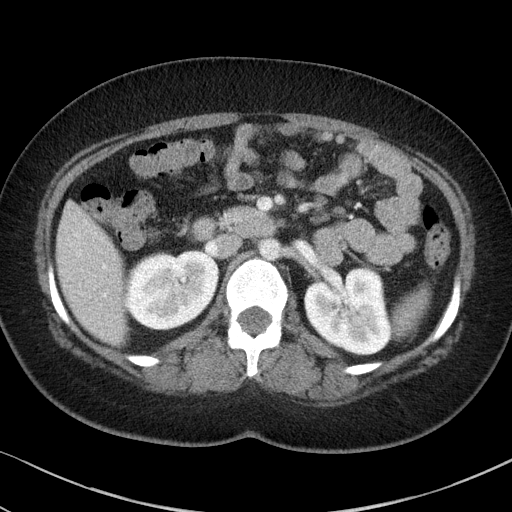
One axial slice (57 of 85, counting up from the lowest) of an arterial-phase abdominal CT acquired with 100 kVp, kernel I41f; each pixel is 0.664 mm and the slice is 5.00 mm thick.
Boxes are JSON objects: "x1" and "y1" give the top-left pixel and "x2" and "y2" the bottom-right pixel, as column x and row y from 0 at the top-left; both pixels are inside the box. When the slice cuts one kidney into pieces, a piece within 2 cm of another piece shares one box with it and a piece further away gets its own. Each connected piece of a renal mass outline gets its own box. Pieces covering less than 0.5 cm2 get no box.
Boxed on this slice (two kidney boxes), listed by box centre from the image's left to its right: (1) Box {"x1": 124, "y1": 249, "x2": 219, "y2": 330}: right kidney (outlined area 6,059 px, about 26.7 cm2). (2) Left kidney, box {"x1": 304, "y1": 267, "x2": 390, "y2": 355} (outlined area 5,992 px, about 26.4 cm2). This slice carries no renal mass outline.